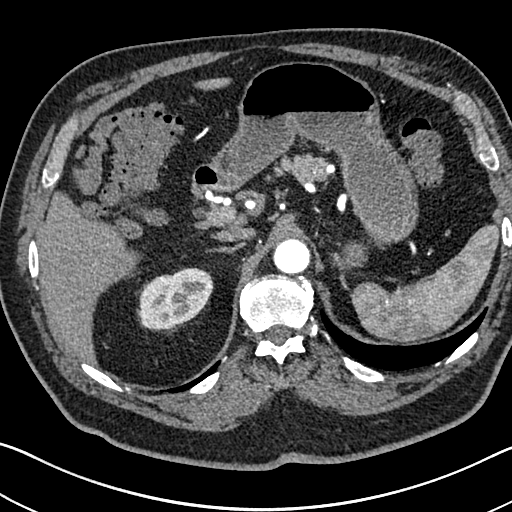
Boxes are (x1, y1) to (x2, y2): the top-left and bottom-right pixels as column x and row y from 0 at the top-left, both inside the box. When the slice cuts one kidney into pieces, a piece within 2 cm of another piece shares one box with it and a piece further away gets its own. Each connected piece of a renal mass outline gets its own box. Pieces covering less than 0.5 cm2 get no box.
Arterial-phase contrast-enhanced abdominal CT, axial slice 536 of 705 (counted from the lowest slice); 1.00 mm thick, 0.703 mm per pixel. Right kidney, box (136, 267) to (213, 330) (outlined area 3,578 px, about 17.7 cm2). This slice carries no renal mass outline.
Acquired at 120 kVp and reconstructed with the I30f kernel.